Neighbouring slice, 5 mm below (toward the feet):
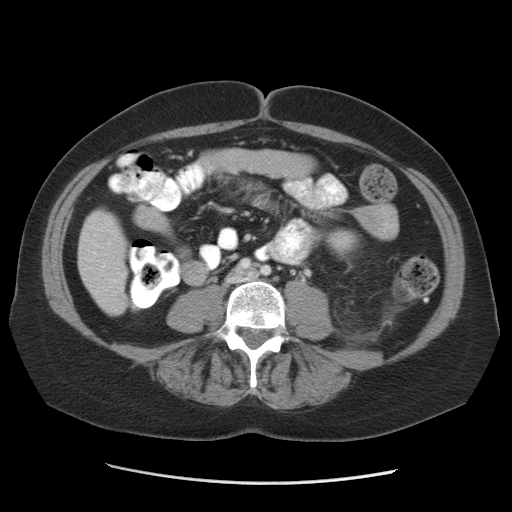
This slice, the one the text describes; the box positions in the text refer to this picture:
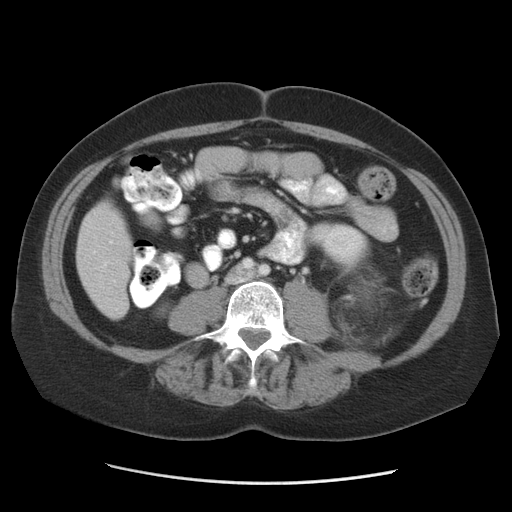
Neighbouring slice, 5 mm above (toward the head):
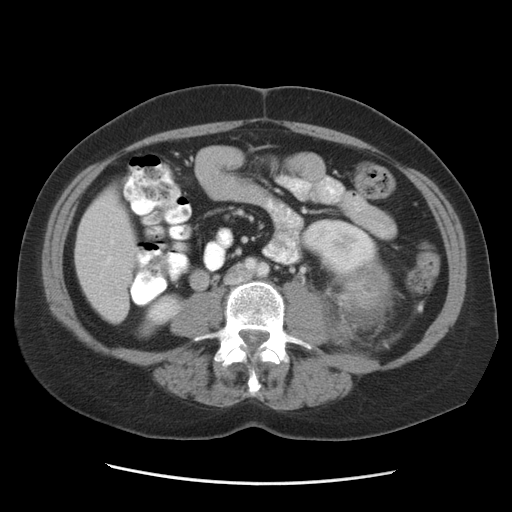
One axial slice (42 of 84, counting up from the lowest) of a contrast-enhanced abdominal CT acquired with 140 kVp, kernel STANDARD; each pixel is 0.717 mm and the slice is 5.00 mm thick.
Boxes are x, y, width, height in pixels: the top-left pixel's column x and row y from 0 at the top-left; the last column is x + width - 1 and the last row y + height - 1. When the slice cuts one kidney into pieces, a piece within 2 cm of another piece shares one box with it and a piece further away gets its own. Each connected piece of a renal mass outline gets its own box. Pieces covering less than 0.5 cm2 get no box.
Three boxes on this slice (two kidney boxes and one renal mass box), listed by box centre from the image's left to its right. (1) Box x 154, y 301, width 20, height 17: right kidney (outlined area 209 px, about 1.1 cm2). (2) Left kidney, box x 305, y 222, width 66, height 46 (outlined area 2,172 px, about 11.2 cm2). (3) Left renal mass at x 358, y 280, width 22, height 24 (outlined area 426 px, about 2.2 cm2); here it is more than 1 cm from any kidney outline, though on another slice the same outlined renal mass lies within 1 cm of the kidney. This slice is near the end of the left renal mass toward the feet, so the slices 5 mm below and 5 mm above it are shown as well; the boxes refer to this slice only.